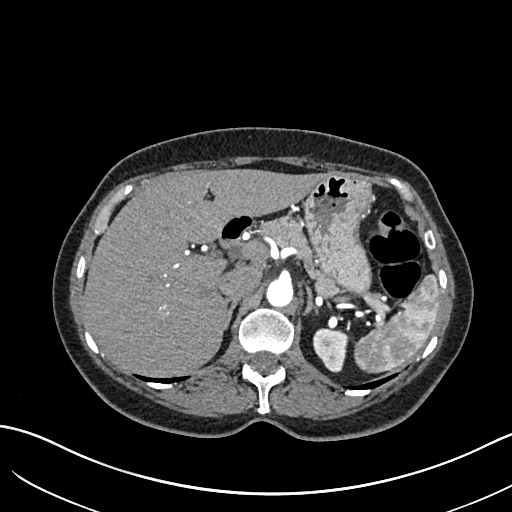
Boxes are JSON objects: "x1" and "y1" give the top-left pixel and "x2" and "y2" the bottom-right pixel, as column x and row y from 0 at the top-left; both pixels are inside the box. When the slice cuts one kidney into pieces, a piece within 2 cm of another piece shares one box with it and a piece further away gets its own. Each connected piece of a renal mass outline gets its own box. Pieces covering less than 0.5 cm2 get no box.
Arterial-phase contrast-enhanced abdominal CT, axial slice 467 of 683 (counted from the lowest slice); 1.00 mm thick, 0.738 mm per pixel. Left kidney at {"x1": 313, "y1": 328, "x2": 349, "y2": 372} (outlined area 1,201 px, about 6.5 cm2). This slice carries no renal mass outline.
Scan settings: 120 kVp, I30f reconstruction kernel.